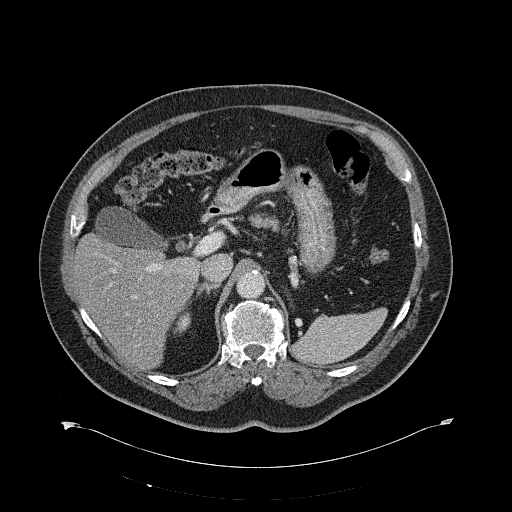
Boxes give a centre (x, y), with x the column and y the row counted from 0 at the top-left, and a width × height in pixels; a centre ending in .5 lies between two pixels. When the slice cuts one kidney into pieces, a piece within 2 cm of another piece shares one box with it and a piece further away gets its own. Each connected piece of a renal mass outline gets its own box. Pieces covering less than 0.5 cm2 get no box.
Slice 430/734 of a contrast-enhanced abdominal CT, counting up from the lowest; pixel size 0.971 mm, slice thickness 2.00 mm. Right kidney in a box with centre (182, 322.5), 19 × 24 pixels (outlined area 269 px, about 2.5 cm2). No renal mass is outlined on this slice.
Acquired at 120 kVp and reconstructed with the B31f kernel.